Abdominal CT with intravenous contrast, axial plane, 120 kVp, kernel B31f. Slice 62/146 from the bottom of the scan; thickness 5.00 mm; pixel size 0.742 mm.
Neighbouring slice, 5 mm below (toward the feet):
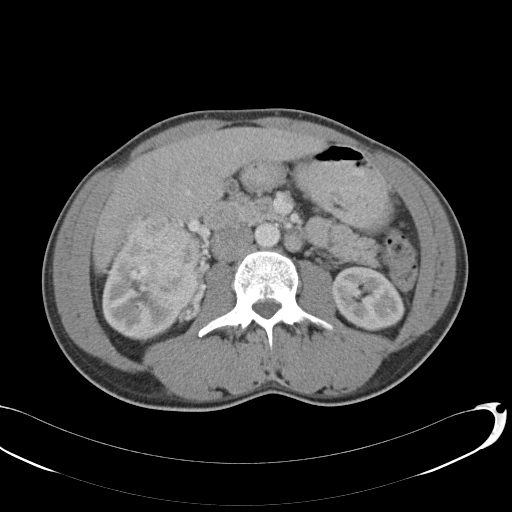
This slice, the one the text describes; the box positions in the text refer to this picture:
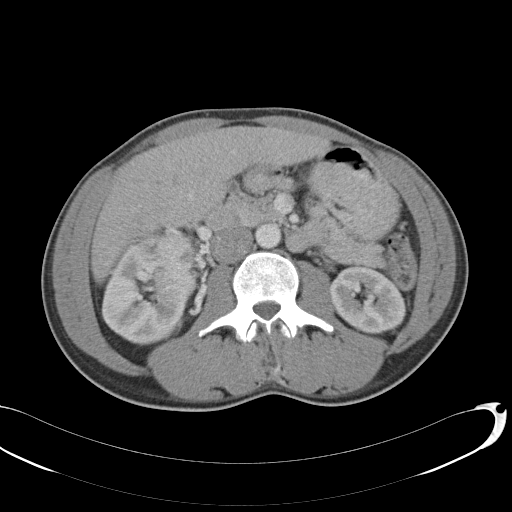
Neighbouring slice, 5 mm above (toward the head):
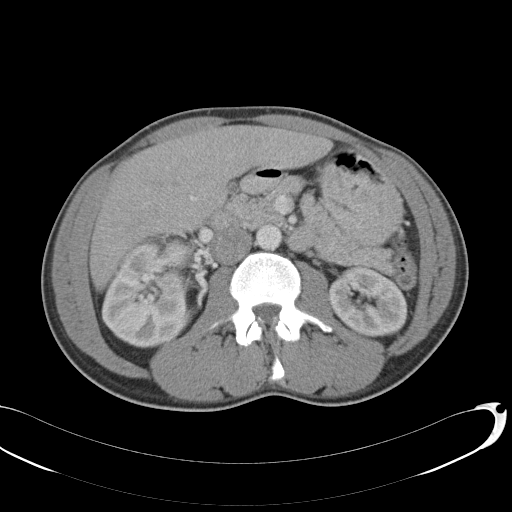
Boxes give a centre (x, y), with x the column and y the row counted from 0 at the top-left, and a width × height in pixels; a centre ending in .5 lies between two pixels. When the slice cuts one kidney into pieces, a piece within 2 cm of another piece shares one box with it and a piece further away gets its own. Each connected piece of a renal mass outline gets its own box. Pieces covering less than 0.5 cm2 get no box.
Boxed on this slice (two kidney boxes and one renal mass box), listed by box centre from the image's left to its right: (1) Right kidney in a box with centre (149, 291), 97 × 109 pixels (outlined area 6,546 px, about 36.1 cm2). (2) Right renal mass, box centre (173, 250.5), 45 × 46 pixels (outlined area 1,690 px, about 9.3 cm2). (3) Left kidney in a box with centre (368, 299.5), 77 × 68 pixels (outlined area 3,869 px, about 21.3 cm2). This slice lies near the end of the right renal mass toward the head; the slices 5 mm below and 5 mm above it are shown too, and the boxes mark positions on this slice only.